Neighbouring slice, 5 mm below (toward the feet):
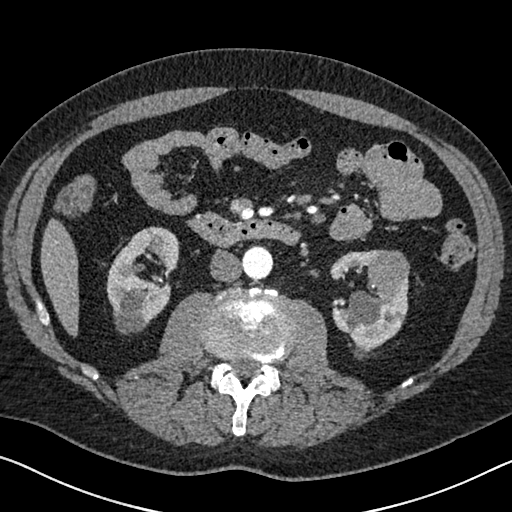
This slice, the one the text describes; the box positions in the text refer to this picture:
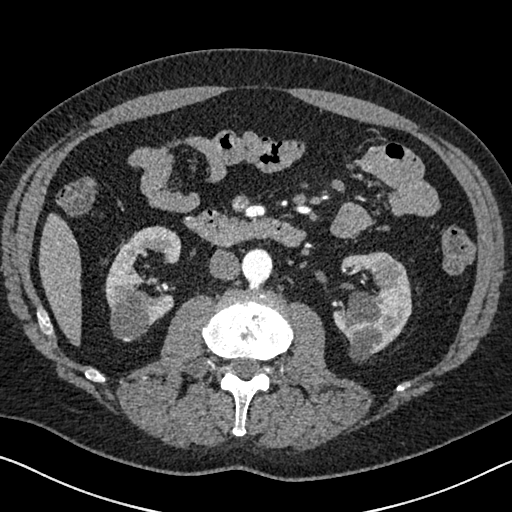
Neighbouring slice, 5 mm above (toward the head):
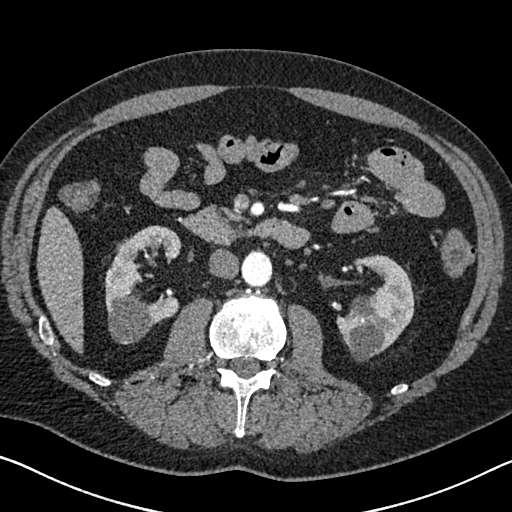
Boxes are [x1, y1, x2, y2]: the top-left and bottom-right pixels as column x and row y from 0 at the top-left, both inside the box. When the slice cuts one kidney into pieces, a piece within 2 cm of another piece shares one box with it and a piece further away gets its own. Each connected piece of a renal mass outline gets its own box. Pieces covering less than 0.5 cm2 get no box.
This is axial slice 352 of 626 (slice 1 is the lowest) of an arterial-phase abdominal CT with contrast; each pixel is 0.703 mm and the slice is 1.00 mm thick. Two kidney boxes and one renal mass box on this slice; by box centre, from the image's left to its right: (1) Right kidney at [105, 225, 182, 340] (outlined area 5,332 px, about 26.4 cm2). (2) Box [332, 251, 411, 361]: left kidney (outlined area 5,432 px, about 26.9 cm2). (3) Left renal mass at [374, 259, 395, 285] (outlined area 455 px, about 2.2 cm2). This slice lies near the end of the left renal mass toward the head; the slices 5 mm below and 5 mm above it are shown too, and the boxes mark positions on this slice only.
Scan settings: 120 kVp, I30f reconstruction kernel.